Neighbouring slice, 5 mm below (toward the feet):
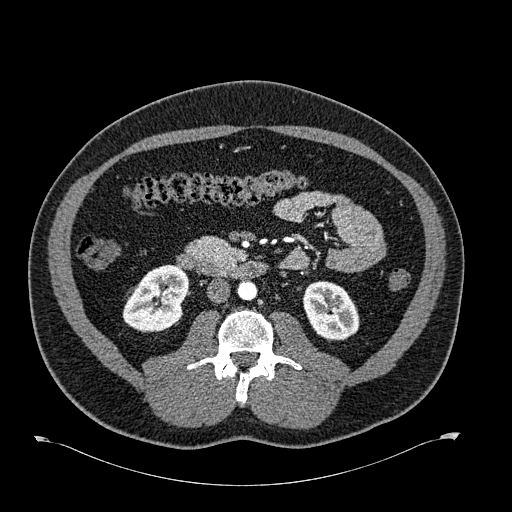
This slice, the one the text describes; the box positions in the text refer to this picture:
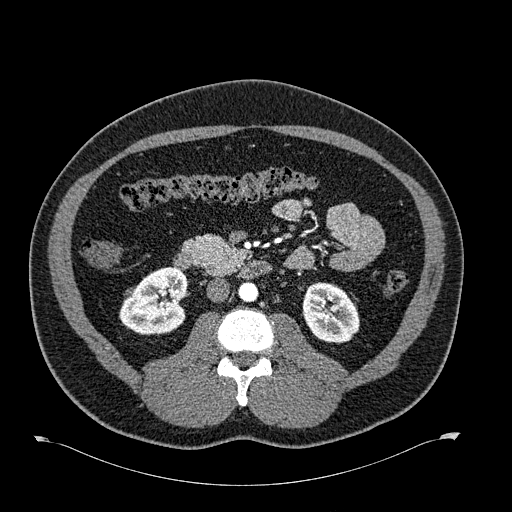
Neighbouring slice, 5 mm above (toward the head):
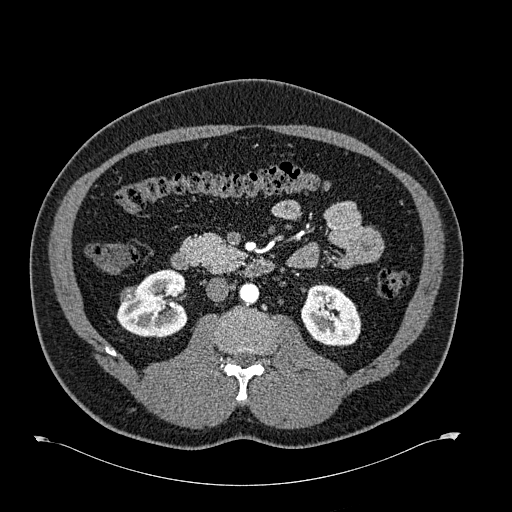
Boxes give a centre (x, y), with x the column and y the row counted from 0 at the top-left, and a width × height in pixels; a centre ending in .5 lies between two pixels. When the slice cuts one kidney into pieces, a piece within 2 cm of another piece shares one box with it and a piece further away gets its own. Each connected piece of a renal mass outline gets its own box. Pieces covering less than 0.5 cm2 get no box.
Arterial-phase contrast-enhanced abdominal CT, axial slice 331 of 723 (counted from the lowest slice); 1.00 mm thick, 0.895 mm per pixel. Boxed on this slice (two kidney boxes and one renal mass box), listed by box centre from the image's left to its right: (1) Right renal mass, box centre (129, 292.5), 11 × 12 pixels (outlined area 86 px, about 0.7 cm2). (2) Right kidney in a box with centre (153.5, 300.5), 70 × 70 pixels (outlined area 3,494 px, about 28.0 cm2). (3) Box centre (330.5, 312.5), 58 × 62 pixels: left kidney (outlined area 2,741 px, about 21.9 cm2). This slice lies near the end of the right renal mass toward the feet; the slices 5 mm below and 5 mm above it are shown too, and the boxes mark positions on this slice only.
Scan settings: 120 kVp, B30f reconstruction kernel.